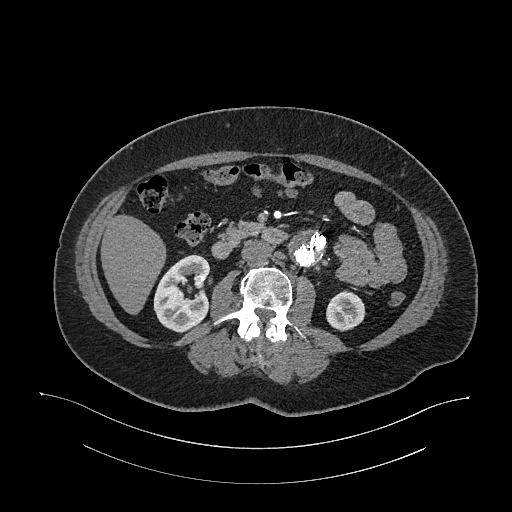
Axial slice 602 of 987 of a contrast-enhanced abdominal CT in the arterial phase (slice 1 is the lowest), 120 kVp, kernel I26f; 1.00 mm slice thickness and 0.977 mm pixels.
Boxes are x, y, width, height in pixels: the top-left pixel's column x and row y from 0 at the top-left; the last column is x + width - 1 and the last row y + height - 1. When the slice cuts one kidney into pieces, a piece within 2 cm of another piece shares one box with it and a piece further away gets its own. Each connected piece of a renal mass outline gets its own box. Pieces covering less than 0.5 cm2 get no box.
Two boxes on this slice (two kidney boxes), listed by box centre from the image's left to its right. (1) Right kidney at x 153, y 254, width 59, height 79 (outlined area 3,281 px, about 31.3 cm2). (2) Box x 326, y 290, width 40, height 41: left kidney (outlined area 1,238 px, about 11.8 cm2). No renal mass is outlined on this slice.